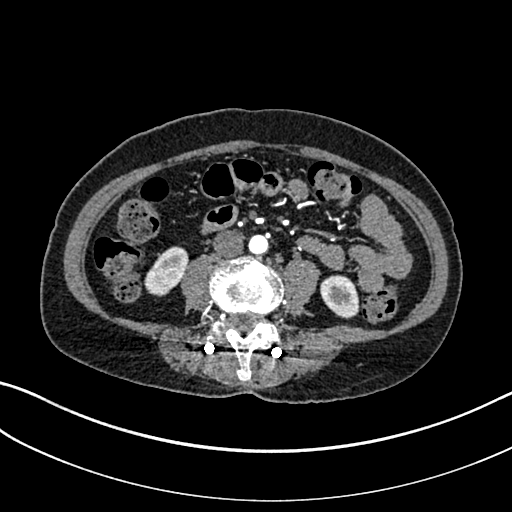
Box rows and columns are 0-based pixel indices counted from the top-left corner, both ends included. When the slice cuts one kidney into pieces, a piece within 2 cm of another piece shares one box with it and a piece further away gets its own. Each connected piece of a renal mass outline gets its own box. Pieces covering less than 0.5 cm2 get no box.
Slice 64/325 of a contrast-enhanced abdominal CT in the arterial phase, counting up from the lowest; pixel size 0.703 mm, slice thickness 1.00 mm. Two kidney boxes on this slice; by box centre, from the image's left to its right: (1) Right kidney, box rows 246–296, columns 144–189 (outlined area 1,499 px, about 7.4 cm2). (2) Box rows 275–318, columns 320–359: left kidney (outlined area 1,315 px, about 6.5 cm2). No renal mass is outlined on this slice.
Tube voltage 100 kVp; convolution kernel I30f.